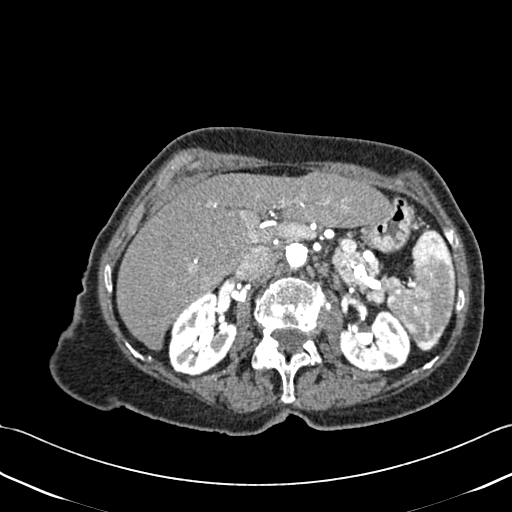
Abdominal CT with intravenous contrast, axial plane, 120 kVp, kernel B30f. Slice 282/433 from the bottom of the scan; thickness 1.00 mm; pixel size 0.672 mm.
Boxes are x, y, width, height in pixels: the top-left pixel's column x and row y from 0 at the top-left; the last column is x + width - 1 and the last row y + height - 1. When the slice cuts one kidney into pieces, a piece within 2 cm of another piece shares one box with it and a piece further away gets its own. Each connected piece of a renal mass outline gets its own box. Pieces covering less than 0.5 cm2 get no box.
Two kidney boxes on this slice; by box centre, from the image's left to its right: (1) Right kidney, box x 168, y 293, width 70, height 84 (outlined area 4,025 px, about 18.2 cm2). (2) Left kidney, box x 339, y 309, width 72, height 64 (outlined area 3,322 px, about 15.0 cm2). No renal mass outline on this slice.